Abdominal CT with intravenous contrast, arterial phase, axial plane, 120 kVp, kernel I30f. Slice 557/738 from the bottom of the scan; thickness 1.00 mm; pixel size 0.789 mm.
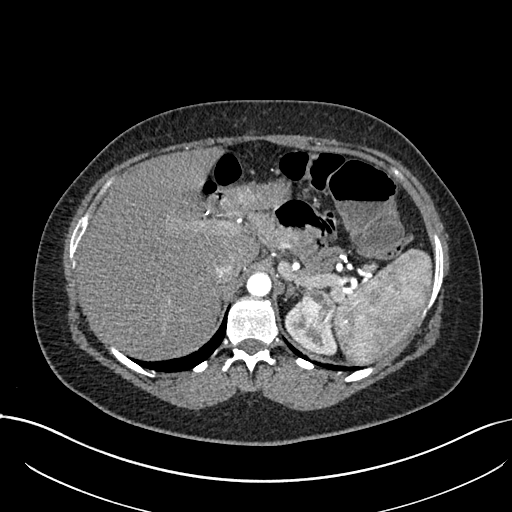
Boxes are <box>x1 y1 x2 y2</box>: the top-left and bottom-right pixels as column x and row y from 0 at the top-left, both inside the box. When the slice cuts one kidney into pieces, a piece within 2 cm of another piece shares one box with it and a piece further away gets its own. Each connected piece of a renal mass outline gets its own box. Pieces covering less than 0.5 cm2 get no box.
Boxed on this slice (one kidney box and one renal mass box), listed by box centre from the image's left to its right: (1) At <box>284 301 336 355</box>: left kidney (outlined area 1,257 px, about 7.8 cm2). (2) Left renal mass at <box>299 289 334 332</box> (outlined area 1,220 px, about 7.6 cm2).